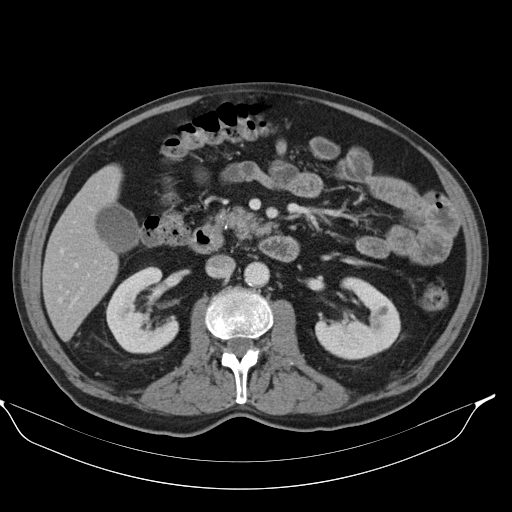
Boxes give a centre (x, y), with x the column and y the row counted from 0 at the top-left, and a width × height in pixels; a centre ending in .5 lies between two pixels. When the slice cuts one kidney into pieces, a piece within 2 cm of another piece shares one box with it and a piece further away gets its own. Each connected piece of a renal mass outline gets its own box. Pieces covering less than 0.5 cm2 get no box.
Contrast-enhanced abdominal CT, axial slice 56 of 98 (counted from the lowest slice); 5.00 mm thick, 0.840 mm per pixel. Boxed on this slice (two kidney boxes), listed by box centre from the image's left to its right: (1) Box centre (142, 309.5), 73 × 88 pixels: right kidney (outlined area 4,334 px, about 30.6 cm2). (2) Left kidney, box centre (357.5, 318), 86 × 83 pixels (outlined area 4,372 px, about 30.8 cm2). No renal mass outline on this slice.
Tube voltage 130 kVp; convolution kernel B30s.